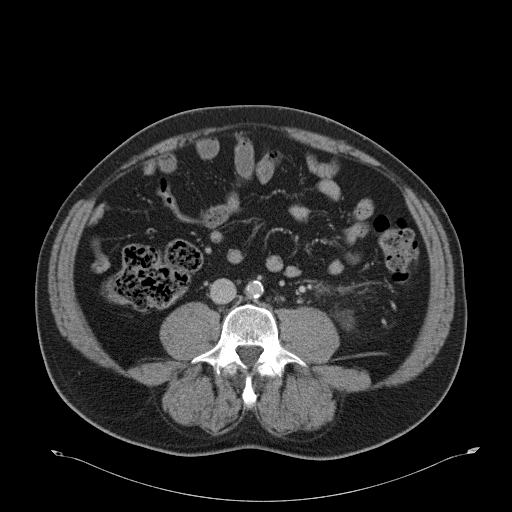
Contrast-enhanced abdominal CT, axial slice 7 of 51 (counted from the lowest slice); tube voltage 120 kVp, convolution kernel B31f; slices 5.00 mm thick, 0.865 mm per pixel.
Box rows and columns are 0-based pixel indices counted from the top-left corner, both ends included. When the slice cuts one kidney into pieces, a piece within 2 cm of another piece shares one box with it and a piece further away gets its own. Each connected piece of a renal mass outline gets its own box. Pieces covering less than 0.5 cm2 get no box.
Left kidney, box rows 314–329, columns 342–352 (outlined area 90 px, about 0.7 cm2). No renal mass is outlined on this slice.